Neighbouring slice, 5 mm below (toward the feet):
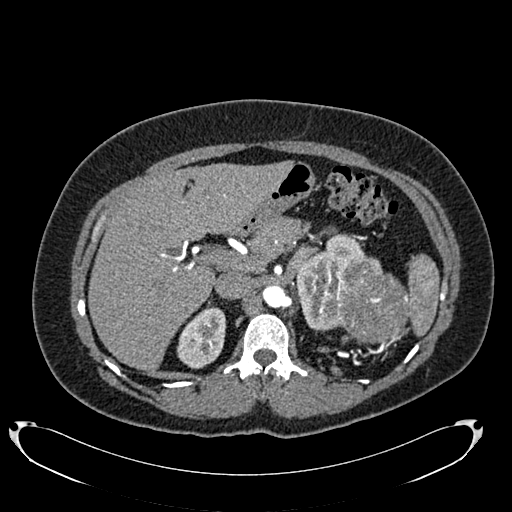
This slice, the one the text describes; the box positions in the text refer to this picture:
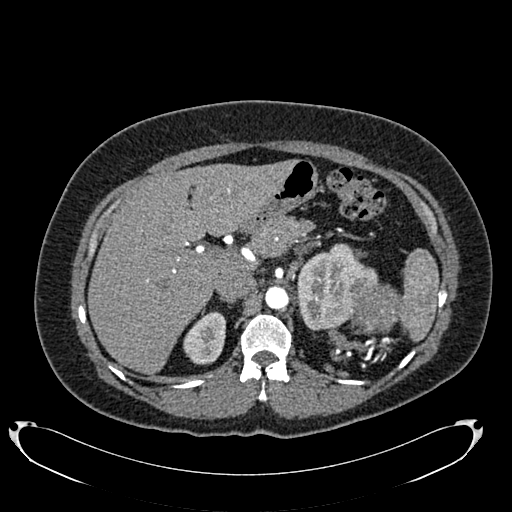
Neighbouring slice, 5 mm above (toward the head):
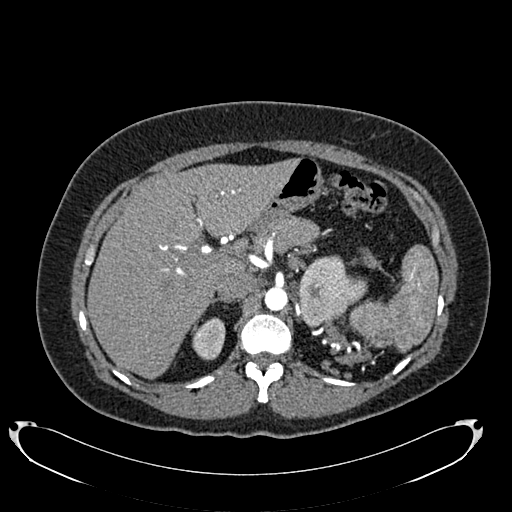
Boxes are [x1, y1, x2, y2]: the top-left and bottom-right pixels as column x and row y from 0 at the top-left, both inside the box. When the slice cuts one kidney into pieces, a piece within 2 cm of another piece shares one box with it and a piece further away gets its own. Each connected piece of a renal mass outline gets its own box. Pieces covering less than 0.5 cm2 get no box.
Slice 518/634 of a contrast-enhanced abdominal CT in the arterial phase, counting up from the lowest; pixel size 0.838 mm, slice thickness 1.00 mm. Two kidney boxes and one renal mass box on this slice; by box centre, from the image's left to its right: (1) Box [183, 311, 226, 364]: right kidney (outlined area 1,715 px, about 12.0 cm2). (2) Left kidney, box [297, 244, 378, 329] (outlined area 4,443 px, about 31.2 cm2). (3) Left renal mass at [350, 282, 403, 334] (outlined area 2,239 px, about 15.7 cm2). This slice is near the end of the left renal mass toward the head, so the slices 5 mm below and 5 mm above it are shown as well; the boxes refer to this slice only.
Acquired at 120 kVp and reconstructed with the B20f kernel.